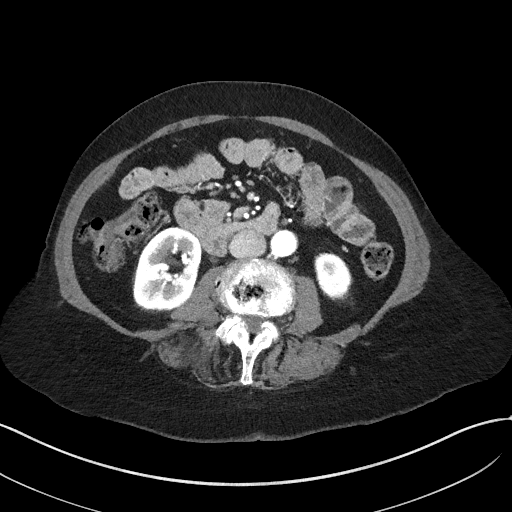
Arterial-phase contrast-enhanced abdominal CT, axial slice 14 of 50 (counted from the lowest slice); tube voltage 100 kVp, convolution kernel I41f; slices 3.00 mm thick, 0.758 mm per pixel.
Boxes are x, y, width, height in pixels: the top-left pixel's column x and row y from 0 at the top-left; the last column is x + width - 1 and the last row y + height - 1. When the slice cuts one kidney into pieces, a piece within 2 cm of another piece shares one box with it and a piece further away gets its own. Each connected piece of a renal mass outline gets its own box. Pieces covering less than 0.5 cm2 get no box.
Two boxes on this slice (two kidney boxes), listed by box centre from the image's left to its right. (1) Right kidney, box x 132, y 227, width 71, height 86 (outlined area 4,412 px, about 25.3 cm2). (2) Left kidney at x 314, y 252, width 39, height 49 (outlined area 1,431 px, about 8.2 cm2). No renal mass outline on this slice.